Axial slice 255 of 470 of a contrast-enhanced abdominal CT in the arterial phase (slice 1 is the lowest), 120 kVp, kernel I26f; 1.00 mm slice thickness and 0.938 mm pixels.
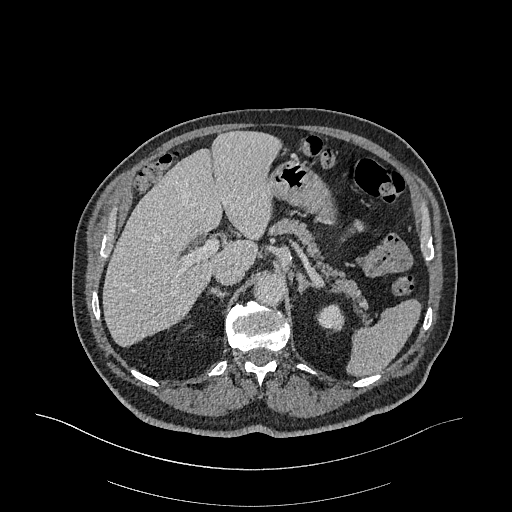
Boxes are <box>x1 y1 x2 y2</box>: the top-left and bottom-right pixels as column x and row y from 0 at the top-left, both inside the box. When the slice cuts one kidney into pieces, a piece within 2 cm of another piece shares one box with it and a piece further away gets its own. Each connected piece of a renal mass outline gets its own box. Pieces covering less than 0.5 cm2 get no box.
At <box>315 304 344 331</box>: left kidney (outlined area 597 px, about 5.2 cm2). No renal mass is outlined on this slice.